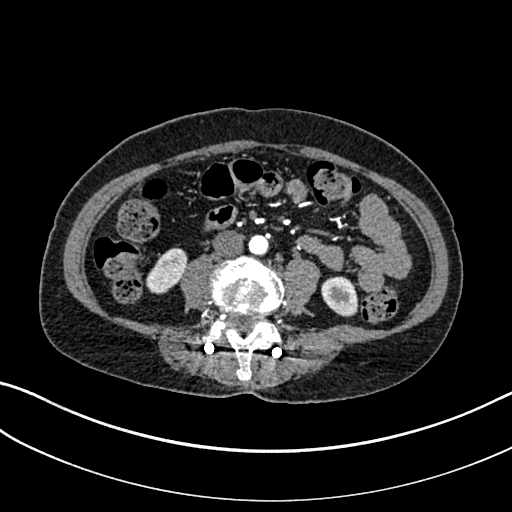
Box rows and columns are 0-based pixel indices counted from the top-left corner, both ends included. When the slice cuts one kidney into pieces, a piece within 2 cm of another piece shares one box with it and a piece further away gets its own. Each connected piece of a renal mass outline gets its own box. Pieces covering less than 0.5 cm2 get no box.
Arterial-phase contrast-enhanced abdominal CT, axial slice 62 of 325 (counted from the lowest slice); 1.00 mm thick, 0.703 mm per pixel. Two kidney boxes on this slice; by box centre, from the image's left to its right: (1) Box rows 248–294, columns 146–187: right kidney (outlined area 1,304 px, about 6.4 cm2). (2) Box rows 276–316, columns 321–358: left kidney (outlined area 1,176 px, about 5.8 cm2). This slice carries no renal mass outline.
Acquired at 100 kVp and reconstructed with the I30f kernel.